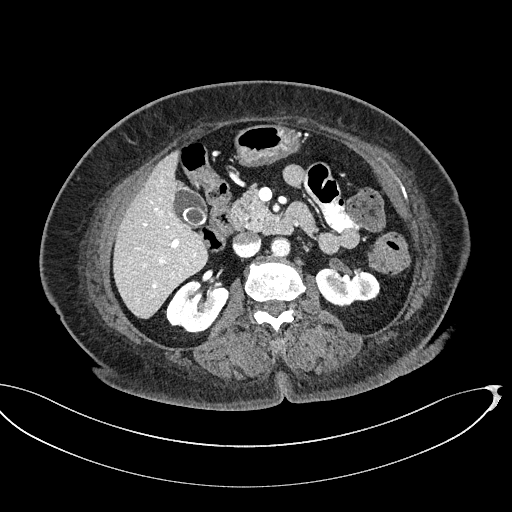
Axial slice 298 of 439 of a contrast-enhanced abdominal CT (slice 1 is the lowest), 100 kVp, kernel I40f; 2.00 mm slice thickness and 0.850 mm pixels.
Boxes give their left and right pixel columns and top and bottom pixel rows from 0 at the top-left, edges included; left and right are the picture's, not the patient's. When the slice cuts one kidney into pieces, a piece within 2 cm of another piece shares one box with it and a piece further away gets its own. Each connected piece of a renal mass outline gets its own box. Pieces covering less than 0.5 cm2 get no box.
Two kidney boxes on this slice; by box centre, from the image's left to its right: (1) Right kidney, the box with left 165, top 279, right 228, bottom 334 (outlined area 2,402 px, about 17.3 cm2). (2) Left kidney, the box with left 315, top 267, right 380, bottom 307 (outlined area 1,983 px, about 14.3 cm2). This slice carries no renal mass outline.